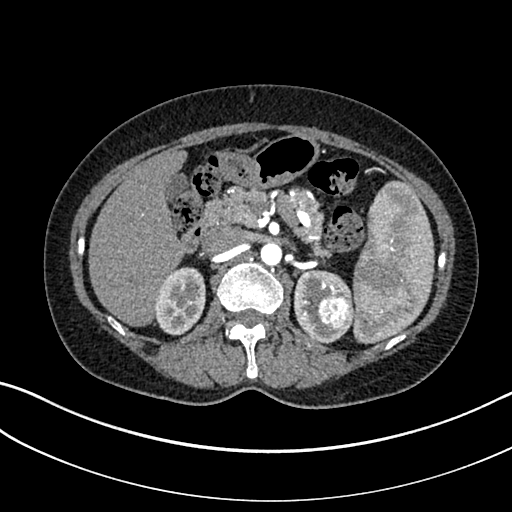
Abdominal CT with intravenous contrast, arterial phase, axial plane, 100 kVp, kernel I30f. Slice 205/325 from the bottom of the scan; thickness 1.00 mm; pixel size 0.703 mm.
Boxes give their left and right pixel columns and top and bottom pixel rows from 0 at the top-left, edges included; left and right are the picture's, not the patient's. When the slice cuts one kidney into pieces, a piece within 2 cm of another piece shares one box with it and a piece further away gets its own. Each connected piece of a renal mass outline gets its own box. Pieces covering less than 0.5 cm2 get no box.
Two kidney boxes and one renal mass box on this slice; by box centre, from the image's left to its right: (1) Box with left 154, top 267, right 205, bottom 335: right kidney (outlined area 2,767 px, about 13.7 cm2). (2) Left kidney in the box with left 294, top 269, right 353, bottom 343 (outlined area 2,485 px, about 12.3 cm2). (3) Box with left 316, top 294, right 352, bottom 332: left renal mass (outlined area 1,081 px, about 5.3 cm2).